One axial slice (41 of 80, counting up from the lowest) of a contrast-enhanced abdominal CT acquired with 120 kVp, kernel B30f; each pixel is 0.822 mm and the slice is 3.00 mm thick.
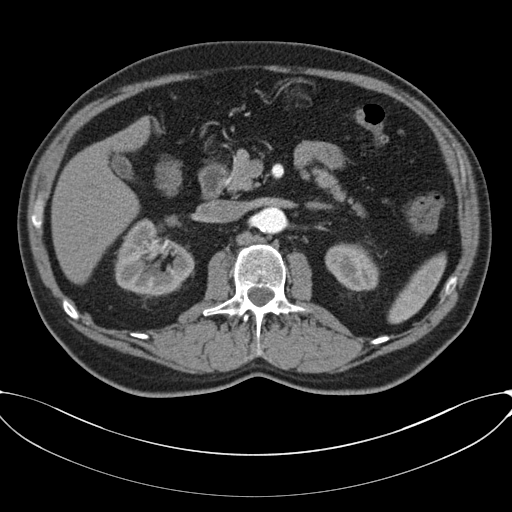
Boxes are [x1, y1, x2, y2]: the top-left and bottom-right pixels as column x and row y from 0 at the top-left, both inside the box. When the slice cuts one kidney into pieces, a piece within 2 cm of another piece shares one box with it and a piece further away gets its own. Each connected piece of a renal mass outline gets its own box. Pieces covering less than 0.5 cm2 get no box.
Boxed on this slice (two kidney boxes), listed by box centre from the image's left to its right: (1) Box [114, 219, 193, 295]: right kidney (outlined area 4,205 px, about 28.4 cm2). (2) Left kidney at [325, 243, 378, 291] (outlined area 1,936 px, about 13.1 cm2). No renal mass outline on this slice.